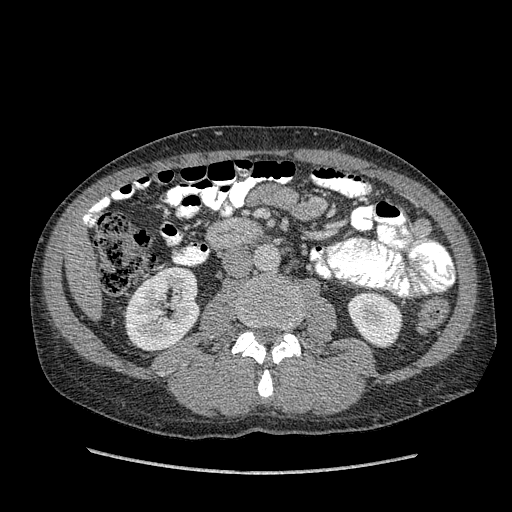
Axial slice 182 of 349 of a contrast-enhanced abdominal CT in the arterial phase (slice 1 is the lowest), 120 kVp, kernel STANDARD; 1.25 mm slice thickness and 0.742 mm pixels.
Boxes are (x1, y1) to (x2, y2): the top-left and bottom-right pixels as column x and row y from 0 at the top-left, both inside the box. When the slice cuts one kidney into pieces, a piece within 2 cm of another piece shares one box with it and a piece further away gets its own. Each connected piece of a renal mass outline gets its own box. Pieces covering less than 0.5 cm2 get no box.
Two boxes on this slice (two kidney boxes), listed by box centre from the image's left to its right. (1) Box (124, 267) to (201, 352): right kidney (outlined area 4,917 px, about 27.1 cm2). (2) Box (347, 290) to (402, 347): left kidney (outlined area 2,385 px, about 13.1 cm2). No renal mass outline on this slice.